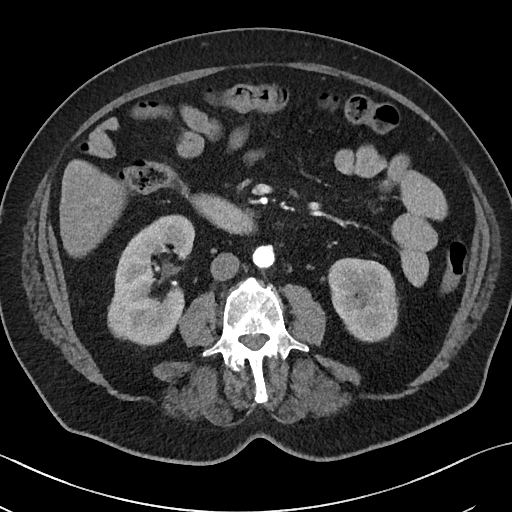
One axial slice (15 of 50, counting up from the lowest) of a contrast-enhanced abdominal CT acquired with 100 kVp, kernel I40f; each pixel is 0.723 mm and the slice is 5.00 mm thick.
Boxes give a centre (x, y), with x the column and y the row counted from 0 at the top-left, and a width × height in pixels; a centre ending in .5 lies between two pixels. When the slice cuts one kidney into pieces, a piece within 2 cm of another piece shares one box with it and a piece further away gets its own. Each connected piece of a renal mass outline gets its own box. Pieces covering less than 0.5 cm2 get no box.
Two boxes on this slice (two kidney boxes), listed by box centre from the image's left to its right. (1) Right kidney, box centre (151, 280.5), 89 × 134 pixels (outlined area 7,489 px, about 39.1 cm2). (2) Left kidney, box centre (362, 300), 71 × 85 pixels (outlined area 4,656 px, about 24.3 cm2). No renal mass is outlined on this slice.